Axial slice 7 of 234 of a contrast-enhanced abdominal CT in the arterial phase (slice 1 is the lowest), 100 kVp, kernel I40f; 2.00 mm slice thickness and 0.699 mm pixels.
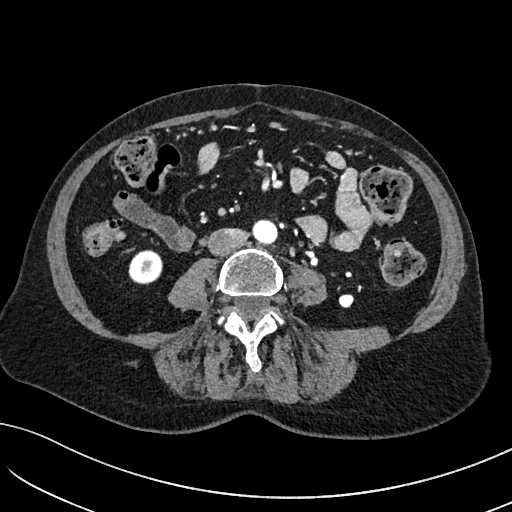
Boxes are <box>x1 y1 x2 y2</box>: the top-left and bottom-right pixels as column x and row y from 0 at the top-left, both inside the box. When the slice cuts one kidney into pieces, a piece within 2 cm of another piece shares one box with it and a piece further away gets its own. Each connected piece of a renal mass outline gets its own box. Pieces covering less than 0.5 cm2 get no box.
Right kidney: <box>128 250 162 284</box> (outlined area 958 px, about 4.7 cm2). No renal mass outline on this slice.